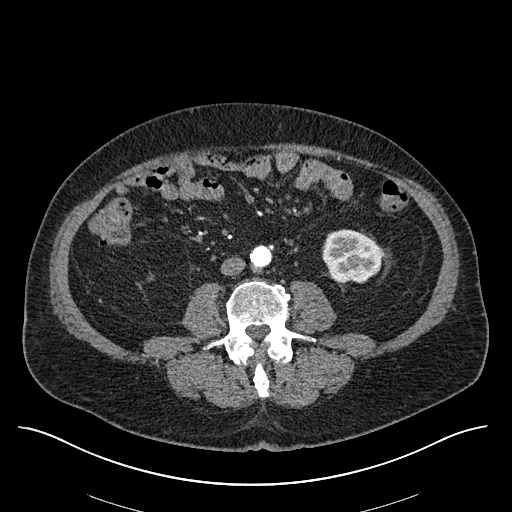
Axial slice 230 of 670 of a contrast-enhanced abdominal CT in the arterial phase (slice 1 is the lowest), 120 kVp, kernel I30f; 1.00 mm slice thickness and 0.861 mm pixels.
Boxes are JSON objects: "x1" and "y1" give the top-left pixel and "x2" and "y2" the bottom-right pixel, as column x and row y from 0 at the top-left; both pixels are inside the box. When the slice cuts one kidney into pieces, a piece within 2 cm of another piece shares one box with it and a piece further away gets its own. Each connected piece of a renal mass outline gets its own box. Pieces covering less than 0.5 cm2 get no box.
Box {"x1": 322, "y1": 229, "x2": 382, "y2": 282}: left kidney (outlined area 2,627 px, about 19.5 cm2). This slice carries no renal mass outline.